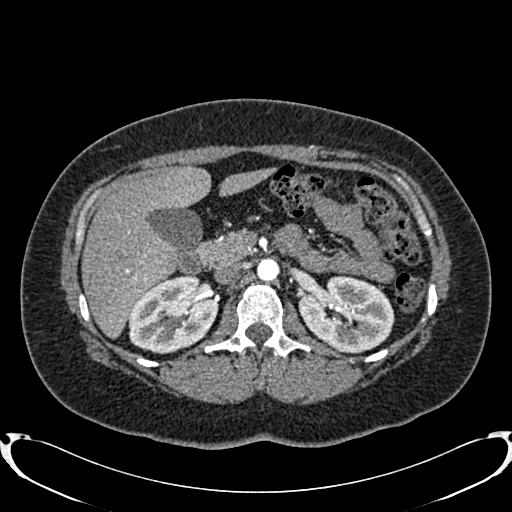
Abdominal CT with intravenous contrast, arterial phase, axial plane, 120 kVp, kernel B20f. Slice 504/719 from the bottom of the scan; thickness 1.00 mm; pixel size 0.766 mm.
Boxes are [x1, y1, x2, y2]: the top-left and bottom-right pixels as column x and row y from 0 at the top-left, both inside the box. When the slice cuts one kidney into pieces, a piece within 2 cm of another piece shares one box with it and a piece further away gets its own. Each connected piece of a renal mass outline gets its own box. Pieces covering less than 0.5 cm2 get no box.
Two boxes on this slice (two kidney boxes), listed by box centre from the image's left to its right. (1) Box [128, 275, 218, 353]: right kidney (outlined area 5,255 px, about 30.8 cm2). (2) Left kidney at [298, 275, 394, 352] (outlined area 5,488 px, about 32.2 cm2). No renal mass is outlined on this slice.